Contrast-enhanced abdominal CT, axial slice 58 of 103 (counted from the lowest slice); tube voltage 120 kVp, convolution kernel FC18; slices 3.00 mm thick, 0.714 mm per pixel.
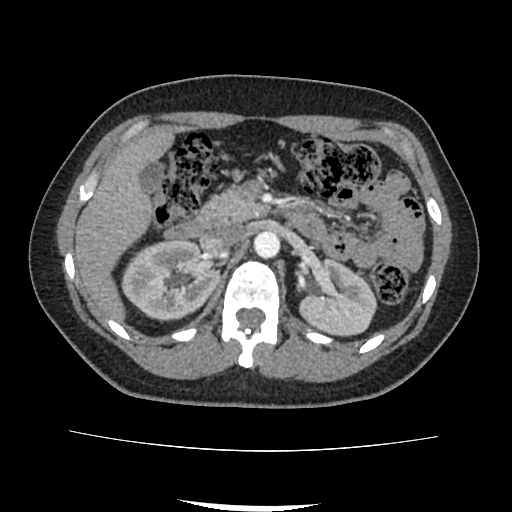
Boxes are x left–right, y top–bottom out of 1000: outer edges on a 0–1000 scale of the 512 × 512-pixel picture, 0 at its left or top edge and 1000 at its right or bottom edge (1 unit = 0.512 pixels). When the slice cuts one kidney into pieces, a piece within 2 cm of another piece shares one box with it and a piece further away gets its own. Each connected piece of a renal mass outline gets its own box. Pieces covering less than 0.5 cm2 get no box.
Two kidney boxes on this slice; by box centre, from the image's left to its right: (1) Right kidney at x 236–434, y 467–631 out of 1000 (outlined area 6,162 px, about 31.4 cm2). (2) Box x 584–738, y 502–658 out of 1000: left kidney (outlined area 4,377 px, about 22.3 cm2). No renal mass outline on this slice.